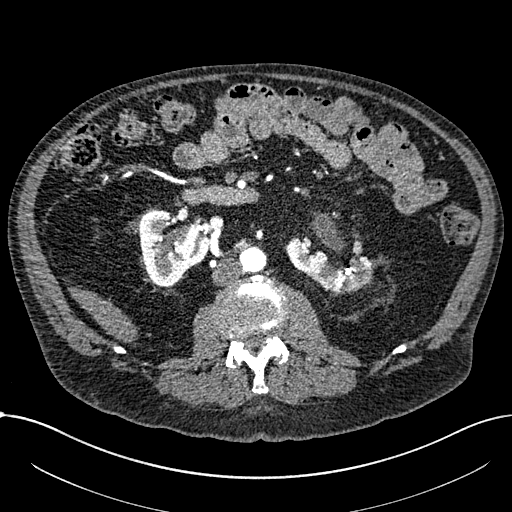
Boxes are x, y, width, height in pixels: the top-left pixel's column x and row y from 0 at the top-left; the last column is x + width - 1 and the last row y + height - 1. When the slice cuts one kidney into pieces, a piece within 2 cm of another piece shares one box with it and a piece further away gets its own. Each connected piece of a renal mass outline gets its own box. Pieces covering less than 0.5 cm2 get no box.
Arterial-phase contrast-enhanced abdominal CT, axial slice 353 of 1059 (counted from the lowest slice); 1.00 mm thick, 0.811 mm per pixel. Two kidney boxes on this slice; by box centre, from the image's left to its right: (1) Right part of the midline-crossing kidney at x 138, y 209, width 72, height 78 (outlined area 3,785 px, about 24.9 cm2). (2) Box x 284, y 236, width 90, height 59: left part of the midline-crossing kidney (outlined area 3,065 px, about 20.1 cm2). This slice carries no renal mass outline.
Tube voltage 100 kVp; convolution kernel I30f.